Arterial-phase contrast-enhanced abdominal CT, axial slice 59 of 79 (counted from the lowest slice); tube voltage 120 kVp, convolution kernel FC11; slices 5.00 mm thick, 0.686 mm per pixel.
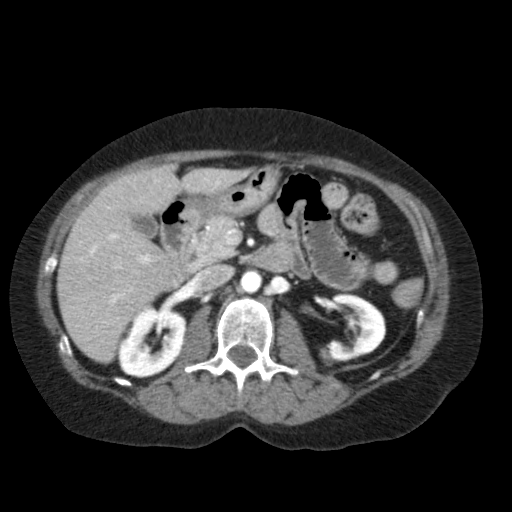
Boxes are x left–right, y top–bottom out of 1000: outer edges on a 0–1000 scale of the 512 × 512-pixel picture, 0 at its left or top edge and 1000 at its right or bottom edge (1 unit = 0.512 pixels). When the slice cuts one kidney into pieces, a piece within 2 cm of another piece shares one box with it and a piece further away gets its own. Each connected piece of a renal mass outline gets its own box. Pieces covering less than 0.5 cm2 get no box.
Two kidney boxes on this slice; by box centre, from the image's left to its right: (1) Right kidney, box x 229–367, y 602–738 out of 1000 (outlined area 3,523 px, about 16.6 cm2). (2) Box x 641–756, y 574–707 out of 1000: left kidney (outlined area 2,709 px, about 12.7 cm2). No renal mass outline on this slice.